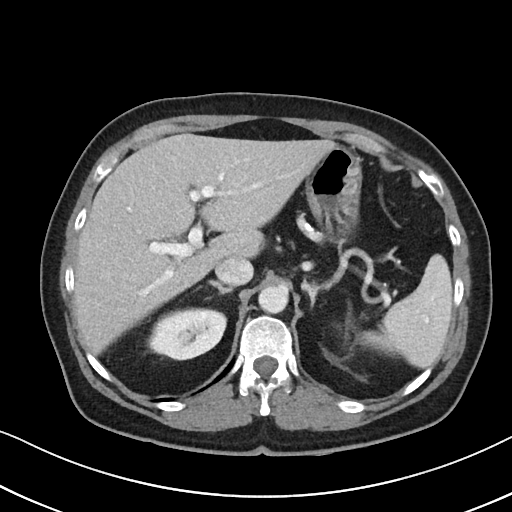
Contrast-enhanced abdominal CT, axial slice 69 of 88 (counted from the lowest slice); tube voltage 100 kVp, convolution kernel I40f; slices 5.00 mm thick, 0.674 mm per pixel.
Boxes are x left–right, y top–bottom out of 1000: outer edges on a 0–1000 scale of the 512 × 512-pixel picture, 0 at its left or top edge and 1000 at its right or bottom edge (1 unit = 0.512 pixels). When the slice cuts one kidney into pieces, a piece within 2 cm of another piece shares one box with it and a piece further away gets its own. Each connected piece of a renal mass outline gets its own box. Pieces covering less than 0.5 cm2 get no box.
Right kidney, box x 285–445, y 600–705 out of 1000 (outlined area 3,304 px, about 15.0 cm2). No renal mass outline on this slice.